Arterial-phase contrast-enhanced abdominal CT, axial slice 466 of 553 (counted from the lowest slice); tube voltage 120 kVp, convolution kernel B20f; slices 1.00 mm thick, 0.773 mm per pixel.
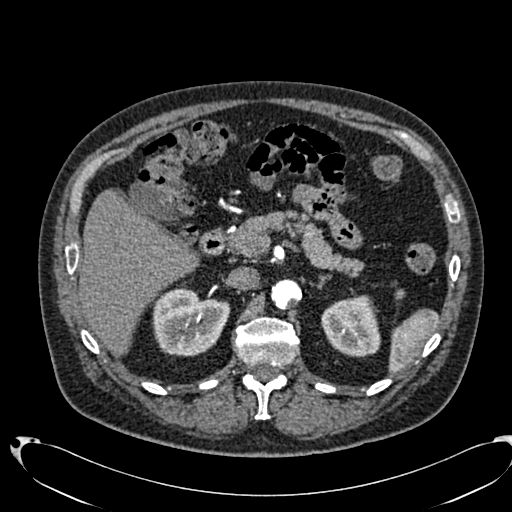
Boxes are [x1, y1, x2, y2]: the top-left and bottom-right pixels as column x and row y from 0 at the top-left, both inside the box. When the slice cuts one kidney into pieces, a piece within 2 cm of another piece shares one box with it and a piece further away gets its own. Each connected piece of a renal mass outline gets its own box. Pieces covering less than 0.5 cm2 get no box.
Two kidney boxes on this slice; by box centre, from the image's left to its right: (1) Right kidney at [152, 287, 230, 356] (outlined area 4,084 px, about 24.4 cm2). (2) Left kidney, box [321, 295, 379, 356] (outlined area 2,835 px, about 17.0 cm2). No renal mass is outlined on this slice.